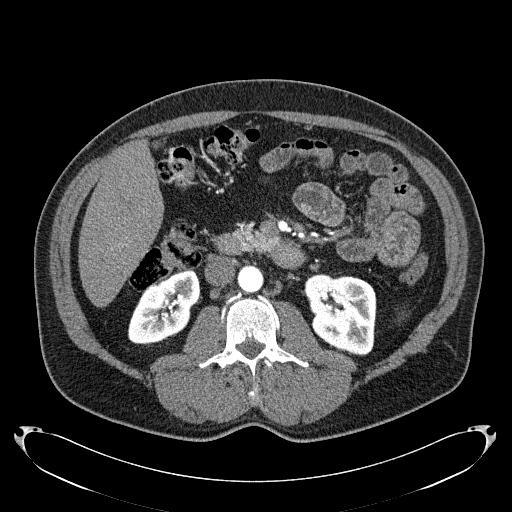
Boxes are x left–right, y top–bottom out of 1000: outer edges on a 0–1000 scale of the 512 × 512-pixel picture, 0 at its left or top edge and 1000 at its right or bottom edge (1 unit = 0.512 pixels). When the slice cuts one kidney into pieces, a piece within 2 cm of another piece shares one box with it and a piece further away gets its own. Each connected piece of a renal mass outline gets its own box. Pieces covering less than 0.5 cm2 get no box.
Arterial-phase contrast-enhanced abdominal CT, axial slice 106 of 279 (counted from the lowest slice); 2.00 mm thick, 0.824 mm per pixel. Two kidney boxes on this slice; by box centre, from the image's left to its right: (1) Box x 250–391, y 521–672 out of 1000: right kidney (outlined area 3,663 px, about 24.9 cm2). (2) Box x 592–736, y 533–695 out of 1000: left kidney (outlined area 4,679 px, about 31.8 cm2). No renal mass outline on this slice.
Acquired at 120 kVp and reconstructed with the B31f kernel.